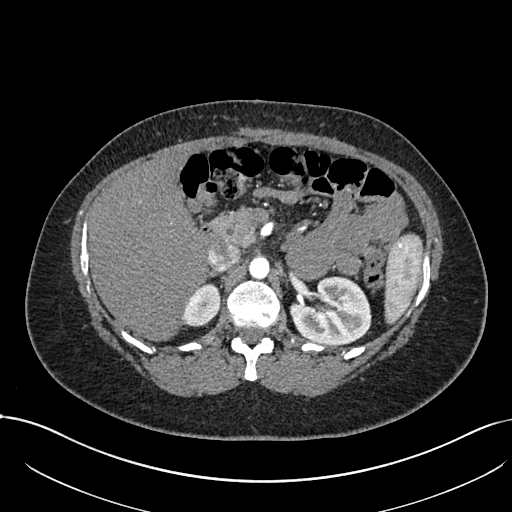
Arterial-phase contrast-enhanced abdominal CT, axial slice 484 of 738 (counted from the lowest slice); tube voltage 120 kVp, convolution kernel I30f; slices 1.00 mm thick, 0.789 mm per pixel.
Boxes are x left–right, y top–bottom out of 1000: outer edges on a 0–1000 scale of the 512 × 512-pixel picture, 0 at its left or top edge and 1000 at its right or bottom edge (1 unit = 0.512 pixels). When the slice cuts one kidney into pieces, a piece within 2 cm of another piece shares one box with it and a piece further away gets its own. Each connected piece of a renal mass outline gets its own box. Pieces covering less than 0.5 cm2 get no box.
Two boxes on this slice (two kidney boxes), listed by box centre from the image's left to its right. (1) Right kidney, box x 354–432, y 551–641 out of 1000 (outlined area 1,303 px, about 8.1 cm2). (2) Box x 566–727, y 539–674 out of 1000: left kidney (outlined area 4,269 px, about 26.6 cm2). This slice carries no renal mass outline.